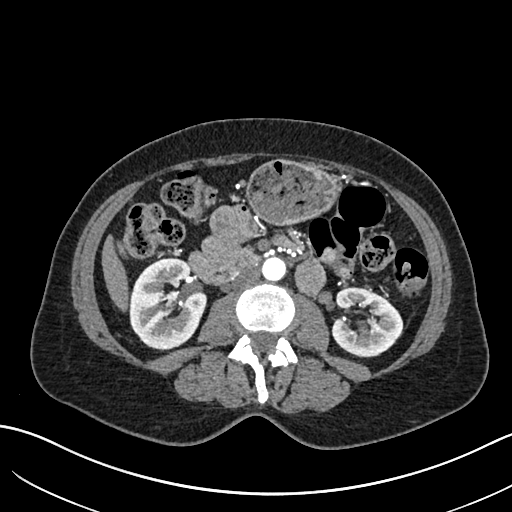
Arterial-phase contrast-enhanced abdominal CT, axial slice 338 of 683 (counted from the lowest slice); tube voltage 120 kVp, convolution kernel I30f; slices 1.00 mm thick, 0.738 mm per pixel.
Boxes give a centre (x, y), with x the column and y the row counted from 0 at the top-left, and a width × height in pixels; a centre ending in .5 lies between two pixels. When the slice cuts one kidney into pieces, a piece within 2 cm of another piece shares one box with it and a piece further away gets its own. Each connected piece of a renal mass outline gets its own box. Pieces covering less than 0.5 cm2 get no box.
Boxed on this slice (two kidney boxes), listed by box centre from the image's left to its right: (1) Box centre (167.5, 303.5), 78 × 94 pixels: right kidney (outlined area 5,473 px, about 29.8 cm2). (2) Box centre (366.5, 322), 74 × 71 pixels: left kidney (outlined area 3,685 px, about 20.1 cm2). This slice carries no renal mass outline.